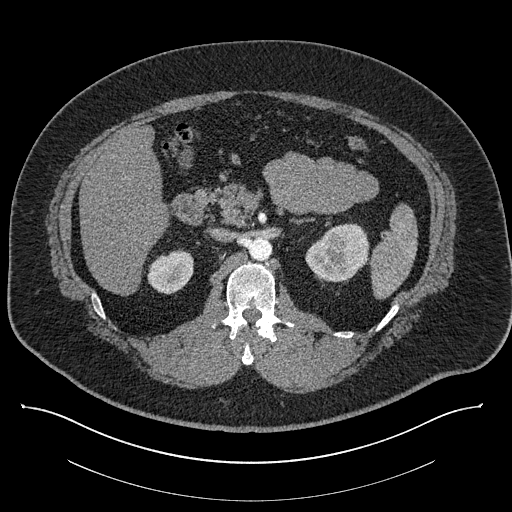
Axial slice 535 of 787 of a contrast-enhanced abdominal CT (slice 1 is the lowest), 140 kVp, kernel I30f; 1.00 mm slice thickness and 0.910 mm pixels.
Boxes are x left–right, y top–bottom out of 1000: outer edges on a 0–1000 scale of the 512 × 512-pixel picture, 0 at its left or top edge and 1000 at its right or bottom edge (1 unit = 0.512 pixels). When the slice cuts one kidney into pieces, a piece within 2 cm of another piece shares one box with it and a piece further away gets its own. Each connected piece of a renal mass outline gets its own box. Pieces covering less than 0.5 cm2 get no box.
Boxed on this slice (two kidney boxes), listed by box centre from the image's left to its right: (1) Right kidney at x 287–379, y 484–576 out of 1000 (outlined area 1,595 px, about 13.2 cm2). (2) Left kidney, box x 596–723, y 436–553 out of 1000 (outlined area 2,838 px, about 23.5 cm2). No renal mass is outlined on this slice.